Axial slice 337 of 665 of a contrast-enhanced abdominal CT in the arterial phase (slice 1 is the lowest), 100 kVp, kernel I26f; 1.00 mm slice thickness and 0.828 mm pixels.
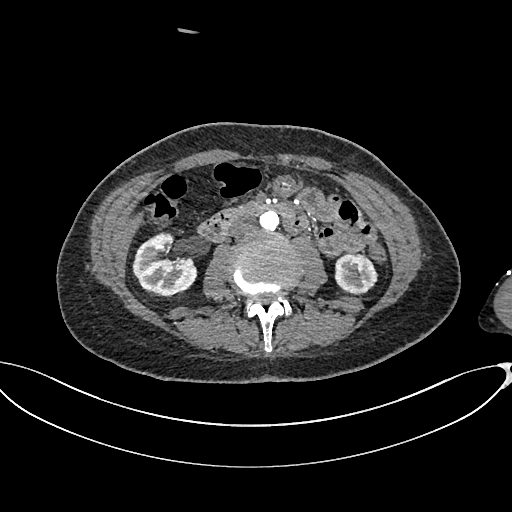
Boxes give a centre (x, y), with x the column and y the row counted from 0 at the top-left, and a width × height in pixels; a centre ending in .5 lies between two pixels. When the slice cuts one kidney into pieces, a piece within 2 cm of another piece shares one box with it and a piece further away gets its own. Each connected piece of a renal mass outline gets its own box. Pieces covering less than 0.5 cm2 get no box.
Two boxes on this slice (two kidney boxes), listed by box centre from the image's left to its right. (1) Box centre (164.5, 265), 66 × 67 pixels: right kidney (outlined area 3,040 px, about 20.8 cm2). (2) Box centre (356, 273.5), 45 × 42 pixels: left kidney (outlined area 1,423 px, about 9.8 cm2). This slice carries no renal mass outline.